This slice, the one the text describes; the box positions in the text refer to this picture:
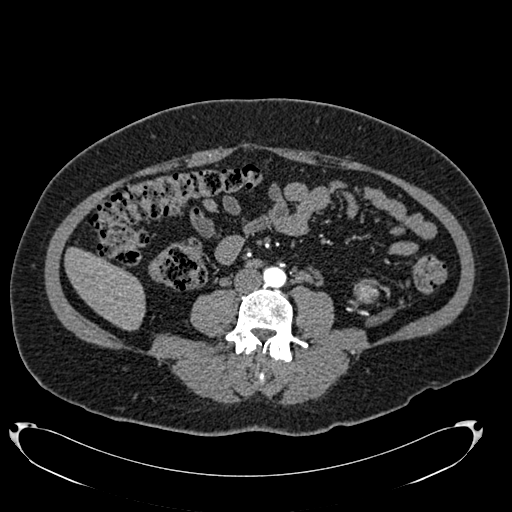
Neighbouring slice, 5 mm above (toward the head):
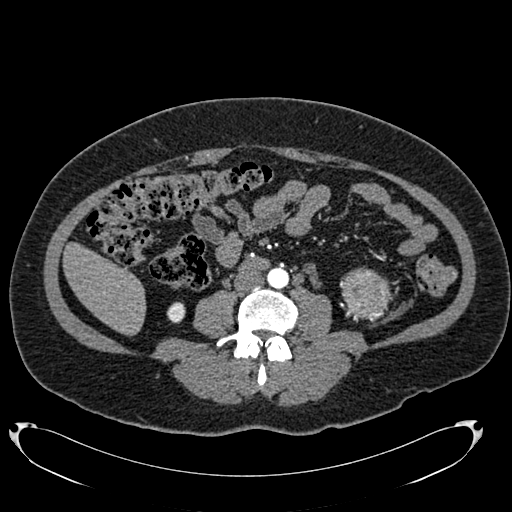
Axial slice 307 of 634 of a contrast-enhanced abdominal CT in the arterial phase (slice 1 is the lowest), 120 kVp, kernel B20f; 1.00 mm slice thickness and 0.838 mm pixels.
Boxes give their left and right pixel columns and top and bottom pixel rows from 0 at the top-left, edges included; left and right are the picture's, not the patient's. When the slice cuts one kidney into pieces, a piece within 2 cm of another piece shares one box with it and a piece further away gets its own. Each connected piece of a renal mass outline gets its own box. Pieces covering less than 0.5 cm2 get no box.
Left renal mass, the box with left 354, top 279, right 377, bottom 303 (outlined area 477 px, about 3.3 cm2); no kidney is outlined on this slice, but the same outlined renal mass comes within 1 cm of the kidney on another slice. This slice lies near the end of the left renal mass toward the feet; the slice 5 mm above it is shown too, and the boxes mark positions on this slice only.